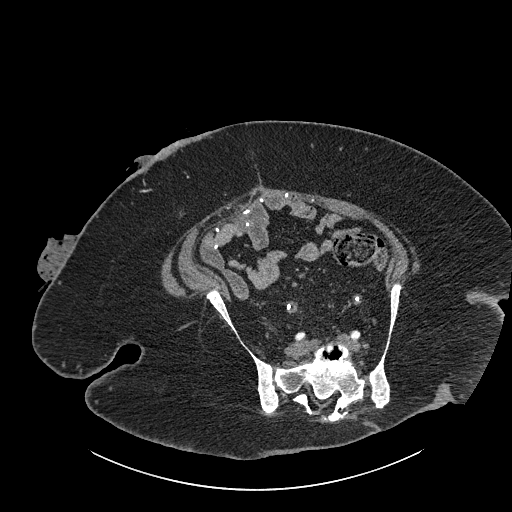
Abdominal CT with intravenous contrast, axial plane, 140 kVp, kernel I30f. Slice 333/834 from the bottom of the scan; thickness 1.00 mm; pixel size 0.977 mm.
Neither a kidney nor a renal mass is outlined here. Only kidneys and renal masses are outlined anywhere in this scan; other structures are never outlined.